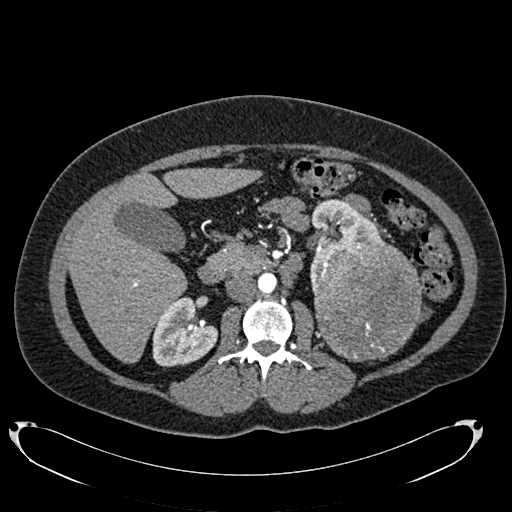
One axial slice (428 of 634, counting up from the lowest) of an arterial-phase abdominal CT acquired with 120 kVp, kernel B20f; each pixel is 0.838 mm and the slice is 1.00 mm thick.
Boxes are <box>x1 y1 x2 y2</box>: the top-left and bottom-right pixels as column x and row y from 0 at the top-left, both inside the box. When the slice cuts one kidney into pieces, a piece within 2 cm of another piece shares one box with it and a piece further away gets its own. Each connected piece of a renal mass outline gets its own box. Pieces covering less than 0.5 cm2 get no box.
Boxed on this slice (two kidney boxes and one renal mass box), listed by box centre from the image's left to its right: (1) Right kidney: <box>152 297 217 366</box> (outlined area 3,303 px, about 23.2 cm2). (2) Left kidney at <box>308 198 385 295</box> (outlined area 3,015 px, about 21.2 cm2). (3) Left renal mass: <box>314 239 422 361</box> (outlined area 10,589 px, about 74.3 cm2).